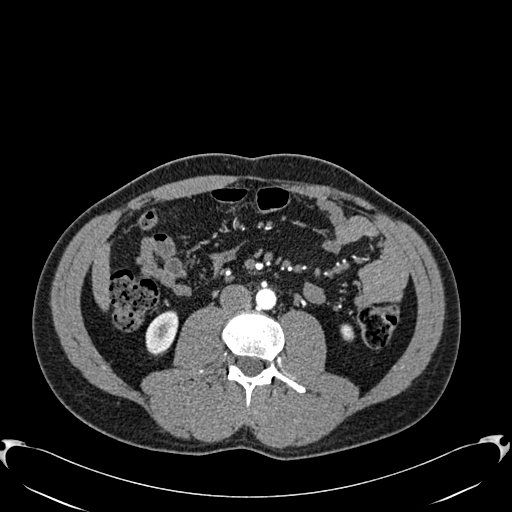
Arterial-phase contrast-enhanced abdominal CT, axial slice 271 of 512 (counted from the lowest slice); tube voltage 120 kVp, convolution kernel B30f; slices 1.00 mm thick, 0.771 mm per pixel.
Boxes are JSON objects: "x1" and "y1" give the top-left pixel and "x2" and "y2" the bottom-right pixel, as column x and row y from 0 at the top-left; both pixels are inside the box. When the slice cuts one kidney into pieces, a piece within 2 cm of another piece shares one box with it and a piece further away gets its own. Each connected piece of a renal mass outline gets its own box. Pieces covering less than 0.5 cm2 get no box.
Boxed on this slice (two kidney boxes), listed by box centre from the image's left to its right: (1) Right kidney at {"x1": 145, "y1": 310, "x2": 178, "y2": 355} (outlined area 1,119 px, about 6.7 cm2). (2) Left kidney, box {"x1": 340, "y1": 324, "x2": 354, "y2": 341} (outlined area 204 px, about 1.2 cm2). No renal mass is outlined on this slice.